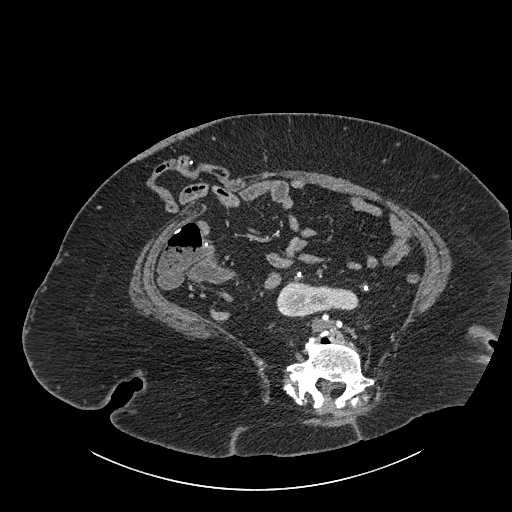
Axial slice 407 of 834 of a contrast-enhanced abdominal CT (slice 1 is the lowest), 140 kVp, kernel I30f; 1.00 mm slice thickness and 0.977 mm pixels.
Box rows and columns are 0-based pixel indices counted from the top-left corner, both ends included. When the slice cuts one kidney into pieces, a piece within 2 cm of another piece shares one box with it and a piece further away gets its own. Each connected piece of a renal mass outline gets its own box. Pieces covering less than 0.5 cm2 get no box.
Box rows 282–317, columns 276–359: kidney crossing the body midline (outlined area 2,171 px, about 20.7 cm2). No renal mass outline on this slice.